Contrast-enhanced abdominal CT, axial slice 116 of 137 (counted from the lowest slice); tube voltage 120 kVp, convolution kernel FC52; slices 3.00 mm thick, 0.741 mm per pixel.
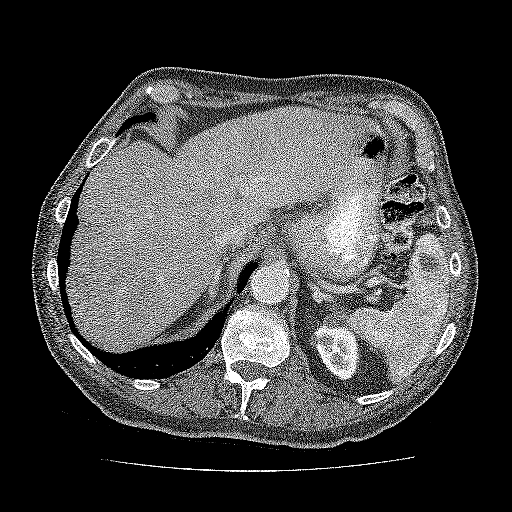
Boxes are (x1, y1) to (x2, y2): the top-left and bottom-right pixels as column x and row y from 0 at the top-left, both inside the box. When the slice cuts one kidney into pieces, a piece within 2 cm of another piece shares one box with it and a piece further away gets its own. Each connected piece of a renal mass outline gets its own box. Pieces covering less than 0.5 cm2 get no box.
Box (312, 316) to (359, 380): kidney (outlined area 2,211 px, about 12.1 cm2). No renal mass is outlined on this slice.